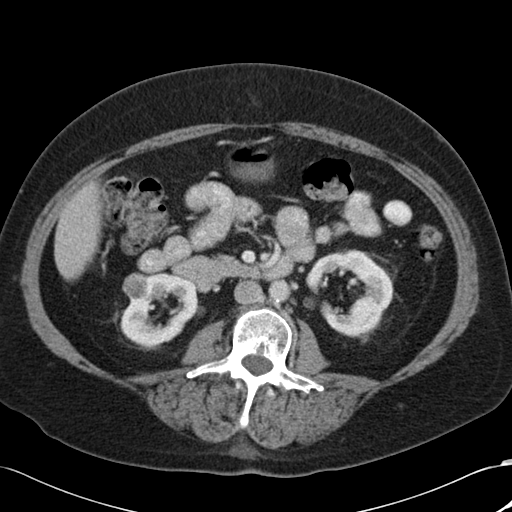
Axial slice 56 of 88 of a contrast-enhanced abdominal CT in the arterial phase (slice 1 is the lowest), 120 kVp, kernel B30f; 5.00 mm slice thickness and 0.691 mm pixels.
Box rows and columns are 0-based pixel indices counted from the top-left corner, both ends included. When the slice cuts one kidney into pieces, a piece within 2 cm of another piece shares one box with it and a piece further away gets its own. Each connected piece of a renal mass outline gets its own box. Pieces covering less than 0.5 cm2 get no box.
Three boxes on this slice (two kidney boxes and one renal mass box), listed by box centre from the image's left to its right. (1) Right renal mass at rows 272–298, columns 122–148 (outlined area 579 px, about 2.8 cm2). (2) Box rows 273–348, columns 120–198: right kidney (outlined area 3,682 px, about 17.6 cm2). (3) Left kidney at rows 249–339, columns 306–393 (outlined area 4,622 px, about 22.1 cm2).